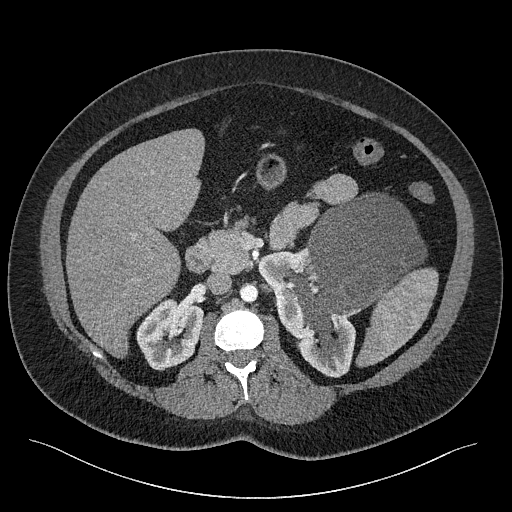
Axial slice 145 of 301 of a contrast-enhanced abdominal CT (slice 1 is the lowest), 120 kVp, kernel I40f; 2.00 mm slice thickness and 0.859 mm pixels.
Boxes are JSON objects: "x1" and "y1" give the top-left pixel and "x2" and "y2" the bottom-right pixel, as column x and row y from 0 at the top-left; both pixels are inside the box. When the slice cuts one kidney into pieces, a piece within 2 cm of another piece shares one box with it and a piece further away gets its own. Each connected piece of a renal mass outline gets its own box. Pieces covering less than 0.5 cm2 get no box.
Two kidney boxes and one renal mass box on this slice; by box centre, from the image's left to its right: (1) Right kidney at {"x1": 136, "y1": 298, "x2": 203, "y2": 370} (outlined area 3,541 px, about 26.2 cm2). (2) Left kidney at {"x1": 258, "y1": 246, "x2": 355, "y2": 377} (outlined area 4,877 px, about 36.0 cm2). (3) Left renal mass, box {"x1": 282, "y1": 193, "x2": 426, "y2": 338} (outlined area 11,762 px, about 86.9 cm2).